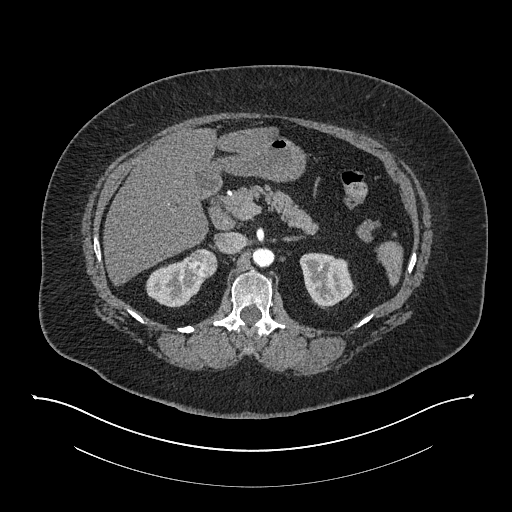
Abdominal CT with intravenous contrast, arterial phase, axial plane, 140 kVp, kernel I30f. Slice 530/673 from the bottom of the scan; thickness 1.00 mm; pixel size 0.957 mm.
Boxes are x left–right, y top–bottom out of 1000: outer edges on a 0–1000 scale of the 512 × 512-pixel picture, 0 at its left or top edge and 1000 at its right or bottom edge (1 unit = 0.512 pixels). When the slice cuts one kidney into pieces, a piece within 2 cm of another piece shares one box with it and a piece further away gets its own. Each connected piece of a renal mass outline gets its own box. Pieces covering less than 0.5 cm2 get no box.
Two kidney boxes and one renal mass box on this slice; by box centre, from the image's left to its right: (1) Right kidney at x 283–402, y 500–602 out of 1000 (outlined area 1,913 px, about 17.5 cm2). (2) Box x 367–426, y 484–545 out of 1000: right renal mass (outlined area 716 px, about 6.6 cm2). (3) Box x 584–693, y 492–604 out of 1000: left kidney (outlined area 2,252 px, about 20.6 cm2).